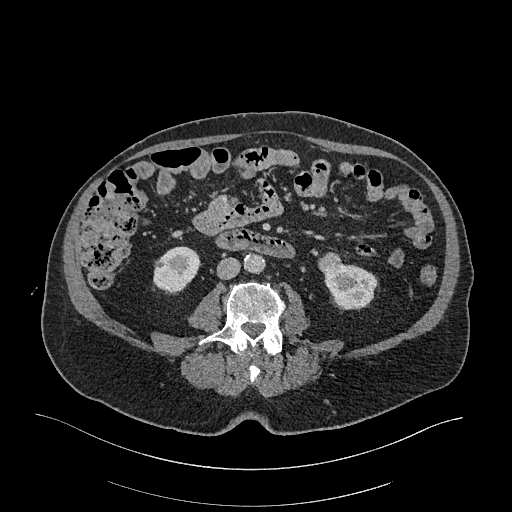
Arterial-phase contrast-enhanced abdominal CT, axial slice 88 of 470 (counted from the lowest slice); tube voltage 120 kVp, convolution kernel I26f; slices 1.00 mm thick, 0.938 mm per pixel.
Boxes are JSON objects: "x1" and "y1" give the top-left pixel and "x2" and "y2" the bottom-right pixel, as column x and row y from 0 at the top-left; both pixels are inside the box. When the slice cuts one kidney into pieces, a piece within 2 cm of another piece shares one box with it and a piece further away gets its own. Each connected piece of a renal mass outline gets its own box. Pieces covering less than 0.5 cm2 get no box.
Boxed on this slice (two kidney boxes and one renal mass box), listed by box centre from the image's left to its right: (1) Right kidney, box {"x1": 153, "y1": 246, "x2": 199, "y2": 293} (outlined area 1,691 px, about 14.9 cm2). (2) Left renal mass at {"x1": 318, "y1": 252, "x2": 341, "y2": 273} (outlined area 397 px, about 3.5 cm2). (3) Left kidney, box {"x1": 324, "y1": 263, "x2": 376, "y2": 310} (outlined area 1,827 px, about 16.1 cm2).